Contrast-enhanced abdominal CT, axial slice 69 of 99 (counted from the lowest slice); tube voltage 120 kVp, convolution kernel STANDARD; slices 5.00 mm thick, 0.938 mm per pixel.
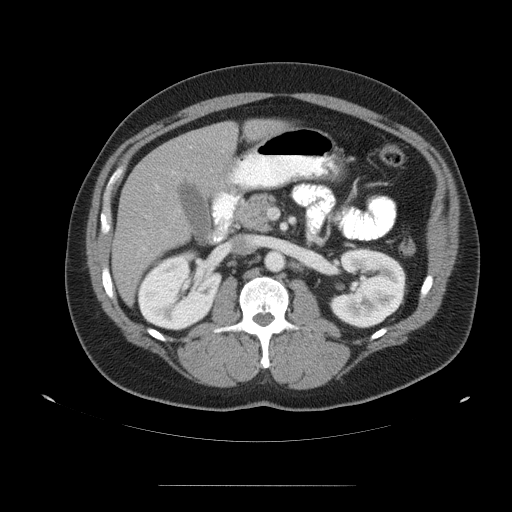
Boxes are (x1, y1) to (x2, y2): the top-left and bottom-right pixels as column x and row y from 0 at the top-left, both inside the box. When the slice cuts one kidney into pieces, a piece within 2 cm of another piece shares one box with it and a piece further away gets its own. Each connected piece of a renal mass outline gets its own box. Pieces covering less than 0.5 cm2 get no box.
Boxed on this slice (two kidney boxes), listed by box centre from the image's left to its right: (1) Right kidney, box (137, 254) to (222, 330) (outlined area 4,877 px, about 42.9 cm2). (2) Box (328, 247) to (407, 328): left kidney (outlined area 4,753 px, about 41.8 cm2). No renal mass outline on this slice.